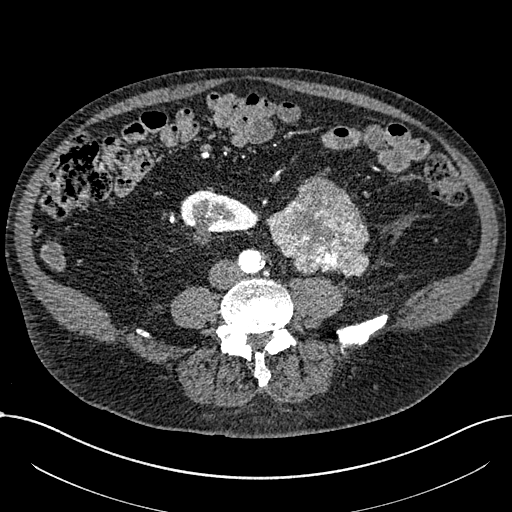
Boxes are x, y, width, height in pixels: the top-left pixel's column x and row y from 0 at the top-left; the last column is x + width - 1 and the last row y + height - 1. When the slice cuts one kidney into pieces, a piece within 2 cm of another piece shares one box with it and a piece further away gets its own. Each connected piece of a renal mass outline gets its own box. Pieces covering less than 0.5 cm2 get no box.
Arterial-phase contrast-enhanced abdominal CT, axial slice 232 of 1059 (counted from the lowest slice); 1.00 mm thick, 0.811 mm per pixel. Two boxes on this slice (one kidney box and one renal mass box), listed by box centre from the image's left to its right. (1) Box x 180, y 189, width 79, height 58: right part of the midline-crossing kidney (outlined area 2,701 px, about 17.7 cm2). (2) Renal mass at x 266, y 174, width 104, height 104 (outlined area 7,200 px, about 47.3 cm2).
Tube voltage 100 kVp; convolution kernel I30f.